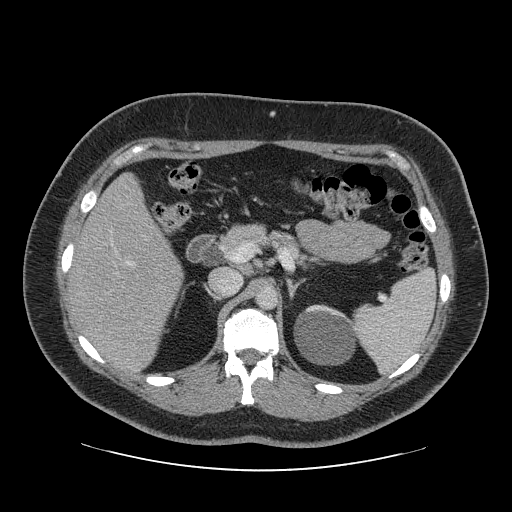
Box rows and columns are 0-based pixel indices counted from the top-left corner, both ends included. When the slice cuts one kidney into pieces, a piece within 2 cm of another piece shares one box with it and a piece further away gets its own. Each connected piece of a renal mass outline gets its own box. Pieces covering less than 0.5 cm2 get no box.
This is axial slice 55 of 69 (slice 1 is the lowest) of an arterial-phase abdominal CT with contrast; each pixel is 0.846 mm and the slice is 2.50 mm thick. Left kidney at rows 304–365, columns 294–357 (outlined area 3,068 px, about 21.9 cm2). No renal mass is outlined on this slice.
Tube voltage 120 kVp; convolution kernel STANDARD.